Abdominal CT with intravenous contrast, arterial phase, axial plane, 140 kVp, kernel I30f. Slice 422/591 from the bottom of the scan; thickness 1.00 mm; pixel size 0.703 mm.
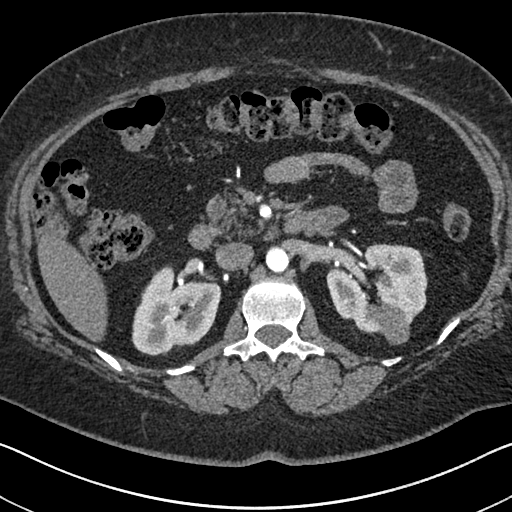
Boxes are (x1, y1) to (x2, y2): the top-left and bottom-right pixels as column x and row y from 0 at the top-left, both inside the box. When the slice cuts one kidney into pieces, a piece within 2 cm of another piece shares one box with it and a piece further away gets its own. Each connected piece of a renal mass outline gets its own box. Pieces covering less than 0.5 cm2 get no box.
Two kidney boxes and one renal mass box on this slice; by box centre, from the image's left to its right: (1) Box (131, 264) to (221, 355): right kidney (outlined area 5,816 px, about 28.8 cm2). (2) Left kidney from (326, 243) to (427, 334) (outlined area 6,062 px, about 30.0 cm2). (3) Left renal mass from (379, 305) to (410, 344) (outlined area 960 px, about 4.7 cm2).